One axial slice (188 of 433, counting up from the lowest) of a contrast-enhanced abdominal CT acquired with 120 kVp, kernel B30f; each pixel is 0.672 mm and the slice is 1.00 mm thick.
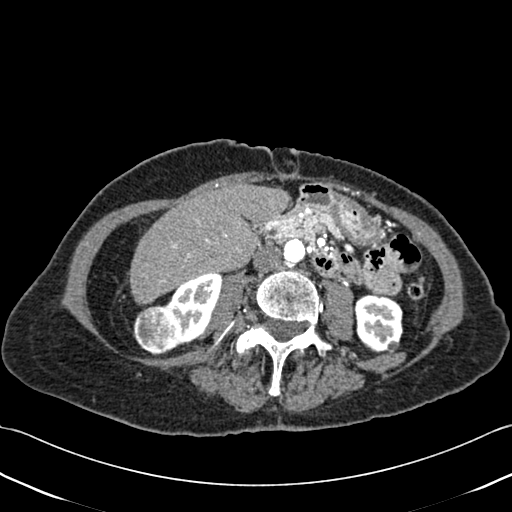
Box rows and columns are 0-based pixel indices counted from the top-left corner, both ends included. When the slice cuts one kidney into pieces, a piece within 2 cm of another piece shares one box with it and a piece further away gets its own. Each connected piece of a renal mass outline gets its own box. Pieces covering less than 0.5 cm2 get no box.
Three boxes on this slice (two kidney boxes and one renal mass box), listed by box centre from the image's left to its right. (1) Box rows 305–355, columns 133–178: right renal mass (outlined area 1,780 px, about 8.0 cm2). (2) Right kidney at rows 273–347, columns 164–221 (outlined area 2,529 px, about 11.4 cm2). (3) Left kidney at rows 294–352, columns 354–402 (outlined area 2,370 px, about 10.7 cm2).